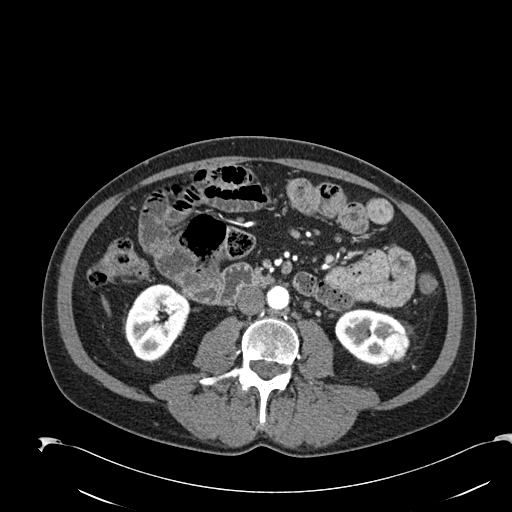
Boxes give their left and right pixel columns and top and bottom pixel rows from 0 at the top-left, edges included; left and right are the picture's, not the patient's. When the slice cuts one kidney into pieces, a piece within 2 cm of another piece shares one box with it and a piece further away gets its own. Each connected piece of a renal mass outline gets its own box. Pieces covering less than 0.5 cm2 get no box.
This is axial slice 81 of 274 (slice 1 is the lowest) of an arterial-phase abdominal CT with contrast; each pixel is 0.809 mm and the slice is 2.00 mm thick. Three boxes on this slice (two kidney boxes and one renal mass box), listed by box centre from the image's left to its right. (1) Right kidney, the box with left 123, top 283, right 191, bottom 362 (outlined area 3,683 px, about 24.1 cm2). (2) Box with left 335, top 308, right 405, bottom 364: left kidney (outlined area 2,596 px, about 17.0 cm2). (3) Left renal mass in the box with left 382, top 332, right 409, bottom 361 (outlined area 632 px, about 4.1 cm2).
Tube voltage 120 kVp; convolution kernel B30f.